Arterial-phase contrast-enhanced abdominal CT, axial slice 304 of 445 (counted from the lowest slice); tube voltage 120 kVp, convolution kernel STANDARD; slices 1.25 mm thick, 0.863 mm per pixel.
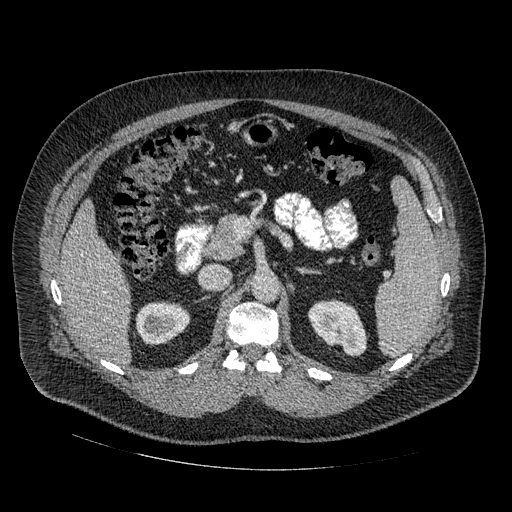
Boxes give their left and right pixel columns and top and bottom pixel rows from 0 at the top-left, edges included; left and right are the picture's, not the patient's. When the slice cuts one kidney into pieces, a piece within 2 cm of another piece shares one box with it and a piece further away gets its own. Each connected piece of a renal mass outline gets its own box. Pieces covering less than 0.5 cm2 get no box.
Two kidney boxes on this slice; by box centre, from the image's left to its right: (1) Right kidney, the box with left 135, top 302, right 190, bottom 343 (outlined area 1,798 px, about 13.4 cm2). (2) Left kidney in the box with left 307, top 299, right 367, bottom 356 (outlined area 2,367 px, about 17.6 cm2). This slice carries no renal mass outline.